Arterial-phase contrast-enhanced abdominal CT, axial slice 327 of 445 (counted from the lowest slice); tube voltage 120 kVp, convolution kernel STANDARD; slices 1.25 mm thick, 0.863 mm per pixel.
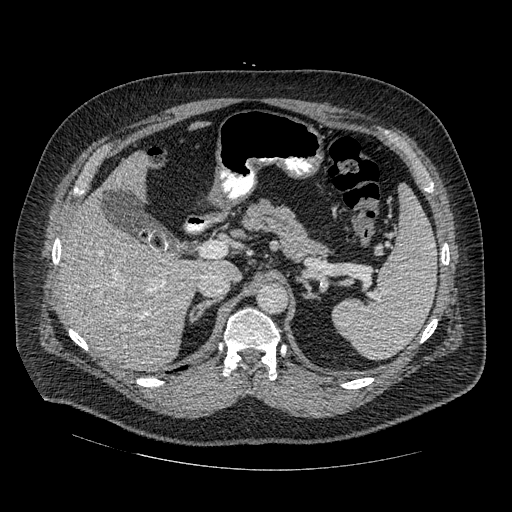
Outside the outlined region: no kidney outline and no renal mass outline on this slice. The scan's outlines cover only kidneys and renal masses; no other organ is outlined.